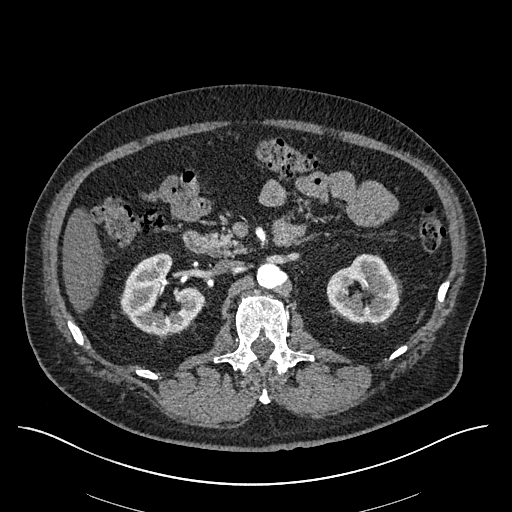
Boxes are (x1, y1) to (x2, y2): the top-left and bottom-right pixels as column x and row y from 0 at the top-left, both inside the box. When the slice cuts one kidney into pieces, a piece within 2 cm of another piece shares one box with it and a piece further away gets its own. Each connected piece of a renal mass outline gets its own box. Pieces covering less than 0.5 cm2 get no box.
Slice 352/670 of a contrast-enhanced abdominal CT in the arterial phase, counting up from the lowest; pixel size 0.861 mm, slice thickness 1.00 mm. Two boxes on this slice (two kidney boxes), listed by box centre from the image's left to its right. (1) Right kidney from (120, 252) to (204, 334) (outlined area 4,299 px, about 31.9 cm2). (2) Left kidney, box (326, 253) to (400, 323) (outlined area 3,703 px, about 27.5 cm2). No renal mass outline on this slice.
Acquired at 120 kVp and reconstructed with the I30f kernel.